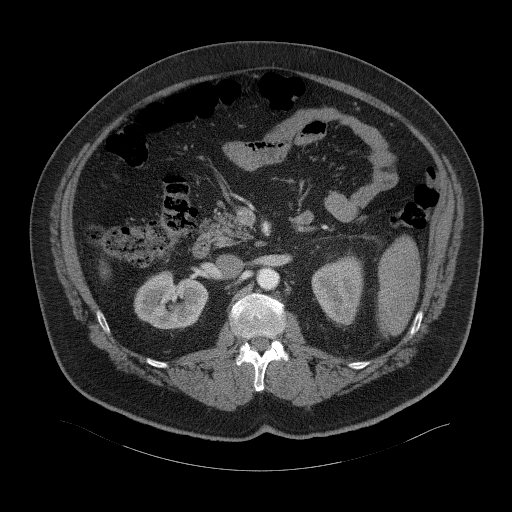
Contrast-enhanced abdominal CT, axial slice 35 of 94 (counted from the lowest slice); tube voltage 120 kVp, convolution kernel B41f; slices 3.00 mm thick, 0.977 mm per pixel.
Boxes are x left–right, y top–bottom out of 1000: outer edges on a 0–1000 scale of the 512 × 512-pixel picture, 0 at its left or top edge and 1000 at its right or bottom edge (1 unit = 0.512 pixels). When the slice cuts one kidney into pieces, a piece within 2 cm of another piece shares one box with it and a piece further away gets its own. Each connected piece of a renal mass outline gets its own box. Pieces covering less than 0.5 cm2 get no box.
Two kidney boxes on this slice; by box centre, from the image's left to its right: (1) Box x 262–408, y 527–645 out of 1000: right kidney (outlined area 3,276 px, about 31.2 cm2). (2) Left kidney at x 607–711, y 492–639 out of 1000 (outlined area 2,749 px, about 26.2 cm2). No renal mass is outlined on this slice.